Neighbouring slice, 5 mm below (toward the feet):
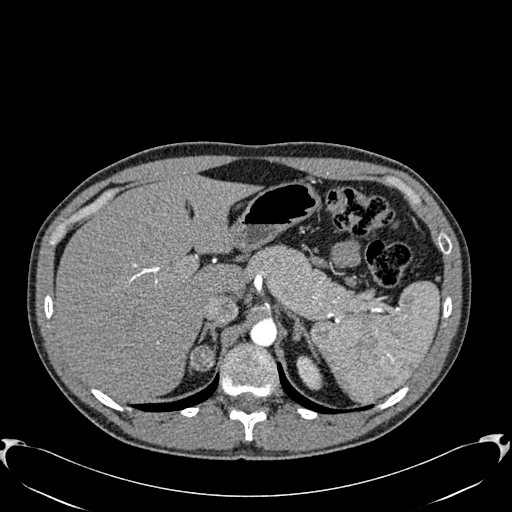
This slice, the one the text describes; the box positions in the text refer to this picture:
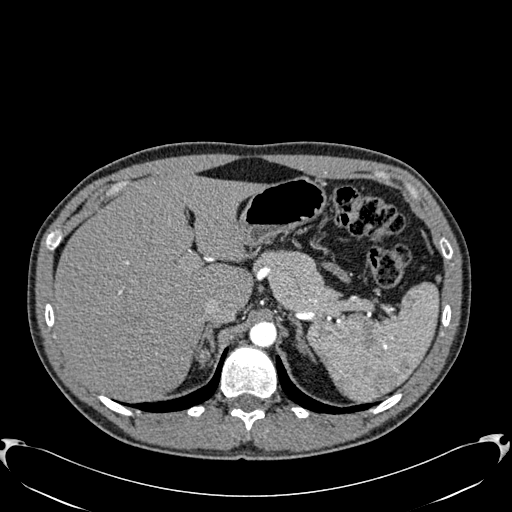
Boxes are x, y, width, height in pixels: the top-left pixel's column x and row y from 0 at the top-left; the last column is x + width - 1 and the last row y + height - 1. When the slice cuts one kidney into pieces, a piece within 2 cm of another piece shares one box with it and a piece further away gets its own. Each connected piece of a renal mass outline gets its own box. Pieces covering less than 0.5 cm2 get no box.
Slice 466/512 of a contrast-enhanced abdominal CT in the arterial phase, counting up from the lowest; pixel size 0.771 mm, slice thickness 1.00 mm. Right renal mass, box x 198, y 348, width 14, height 17 (outlined area 182 px, about 1.1 cm2); no kidney outline appears on this slice, but the same outlined renal mass comes within 1 cm of the kidney on another slice. This slice is near the end of the right renal mass toward the head, so the slice 5 mm below it is shown as well; the boxes refer to this slice only.
Acquired at 120 kVp and reconstructed with the B30f kernel.